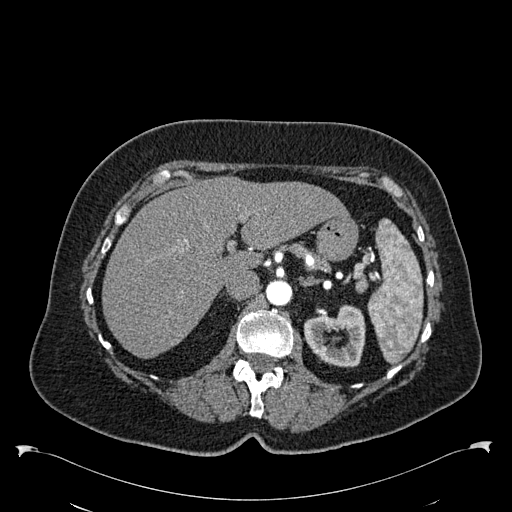
Abdominal CT with intravenous contrast, arterial phase, axial plane, 120 kVp, kernel B30f. Slice 400/538 from the bottom of the scan; thickness 1.00 mm; pixel size 0.811 mm.
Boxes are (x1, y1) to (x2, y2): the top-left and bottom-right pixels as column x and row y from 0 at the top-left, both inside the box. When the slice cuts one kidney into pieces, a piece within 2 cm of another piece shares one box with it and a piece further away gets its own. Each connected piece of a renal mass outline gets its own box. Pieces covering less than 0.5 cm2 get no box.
Left kidney from (304, 304) to (365, 367) (outlined area 2,677 px, about 17.6 cm2). This slice carries no renal mass outline.